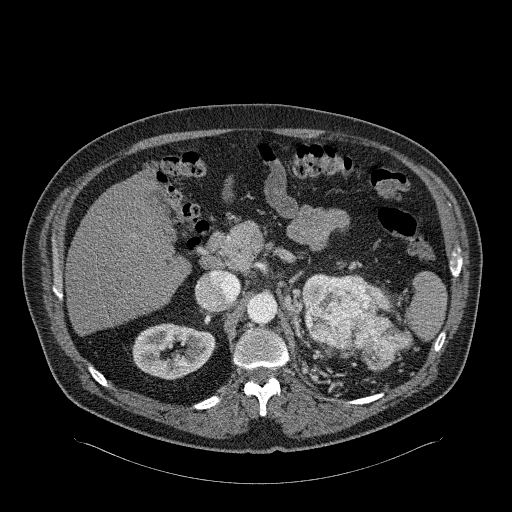
Abdominal CT with intravenous contrast, arterial phase, axial plane, 120 kVp, kernel B31f. Slice 168/326 from the bottom of the scan; thickness 2.00 mm; pixel size 0.963 mm.
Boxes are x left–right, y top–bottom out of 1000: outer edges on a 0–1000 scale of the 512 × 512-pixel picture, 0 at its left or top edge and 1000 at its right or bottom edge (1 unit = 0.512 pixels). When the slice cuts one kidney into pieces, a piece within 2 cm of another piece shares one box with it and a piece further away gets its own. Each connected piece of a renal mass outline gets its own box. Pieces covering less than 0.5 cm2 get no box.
Four boxes on this slice (three kidney boxes and one renal mass box), listed by box centre from the image's left to its right. (1) Right kidney, box x 258–424, y 631–742 out of 1000 (outlined area 3,470 px, about 32.2 cm2). (2) Left kidney (one of two boxed parts) at x 590–660, y 533–600 out of 1000 (outlined area 352 px, about 3.3 cm2). (3) Left renal mass, box x 594–809, y 535–727 out of 1000 (outlined area 6,296 px, about 58.4 cm2). (4) Left kidney (one of two boxed parts) at x 721–766, y 555–609 out of 1000 (outlined area 304 px, about 2.8 cm2).